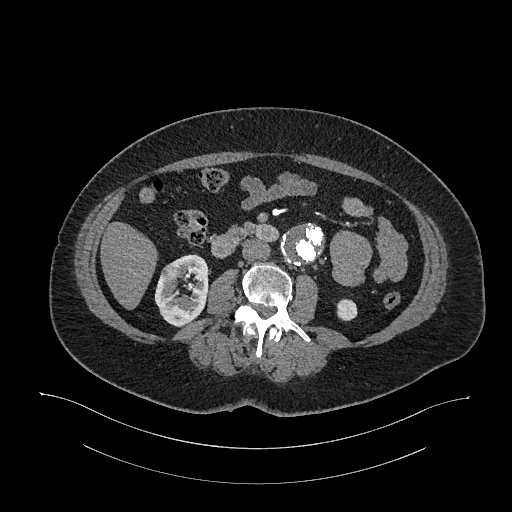
Axial slice 583 of 987 of a contrast-enhanced abdominal CT in the arterial phase (slice 1 is the lowest), 120 kVp, kernel I26f; 1.00 mm slice thickness and 0.977 mm pixels.
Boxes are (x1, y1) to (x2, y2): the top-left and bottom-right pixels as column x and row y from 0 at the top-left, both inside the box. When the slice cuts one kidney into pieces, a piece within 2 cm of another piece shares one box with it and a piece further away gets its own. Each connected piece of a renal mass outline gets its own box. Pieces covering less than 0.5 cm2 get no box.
Three boxes on this slice (two kidney boxes and one renal mass box), listed by box centre from the image's left to its right. (1) Box (160, 262) to (182, 280): right renal mass (outlined area 293 px, about 2.8 cm2). (2) Right kidney, box (154, 254) to (210, 326) (outlined area 2,652 px, about 25.3 cm2). (3) Left kidney, box (336, 299) to (357, 321) (outlined area 395 px, about 3.8 cm2).